Contrast-enhanced abdominal CT, axial slice 54 of 105 (counted from the lowest slice); tube voltage 120 kVp, convolution kernel B; slices 3.00 mm thick, 0.977 mm per pixel.
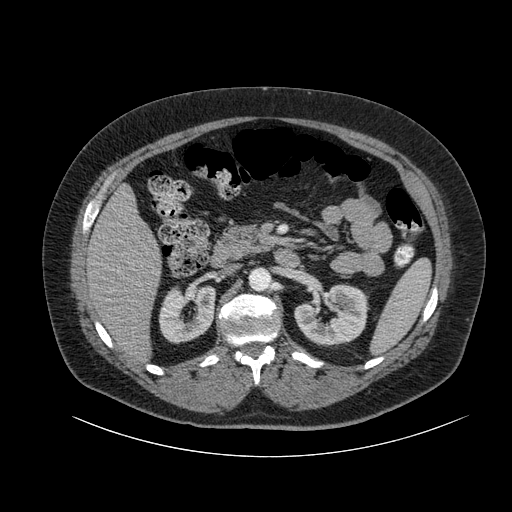
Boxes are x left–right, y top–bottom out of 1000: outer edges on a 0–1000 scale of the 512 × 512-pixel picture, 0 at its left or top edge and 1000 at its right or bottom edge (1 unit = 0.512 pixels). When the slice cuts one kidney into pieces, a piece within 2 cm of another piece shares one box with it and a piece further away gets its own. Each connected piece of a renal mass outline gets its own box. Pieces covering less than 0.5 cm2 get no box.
Two kidney boxes on this slice; by box centre, from the image's left to its right: (1) Box x 309–422, y 555–672 out of 1000: right kidney (outlined area 2,603 px, about 24.8 cm2). (2) Box x 574–721, y 555–678 out of 1000: left kidney (outlined area 3,346 px, about 31.9 cm2). No renal mass outline on this slice.